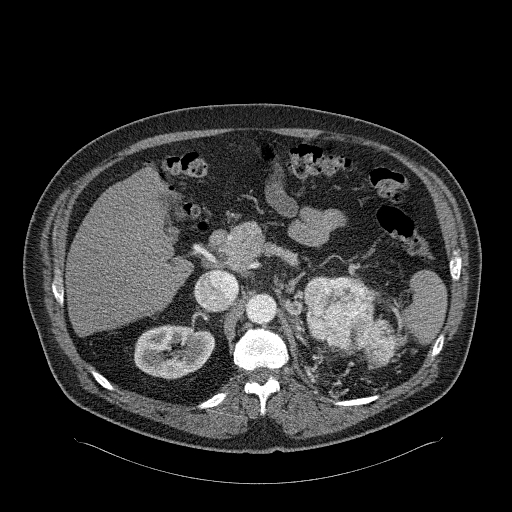
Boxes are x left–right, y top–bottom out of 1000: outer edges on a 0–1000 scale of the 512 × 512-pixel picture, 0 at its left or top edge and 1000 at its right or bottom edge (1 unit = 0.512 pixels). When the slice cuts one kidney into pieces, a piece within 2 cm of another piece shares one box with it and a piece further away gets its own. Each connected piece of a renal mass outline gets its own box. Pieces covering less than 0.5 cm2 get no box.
Slice 171/326 of a contrast-enhanced abdominal CT in the arterial phase, counting up from the lowest; pixel size 0.963 mm, slice thickness 2.00 mm. Three boxes on this slice (two kidney boxes and one renal mass box), listed by box centre from the image's left to its right. (1) Box x 262–420, y 633–742 out of 1000: right kidney (outlined area 3,436 px, about 31.9 cm2). (2) Left kidney, box x 592–648, y 539–596 out of 1000 (outlined area 290 px, about 2.7 cm2). (3) Left renal mass at x 598–797, y 539–719 out of 1000 (outlined area 5,671 px, about 52.6 cm2).
Tube voltage 120 kVp; convolution kernel B31f.